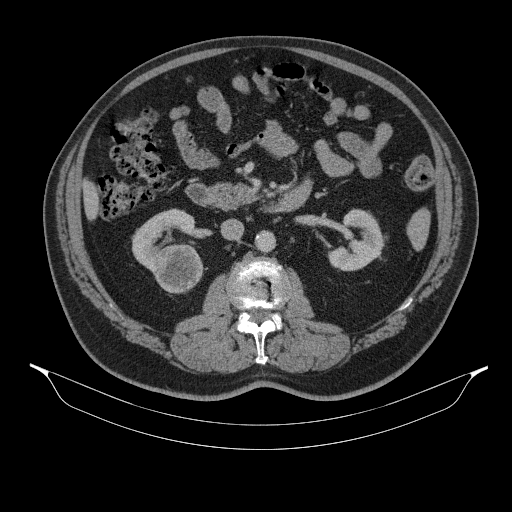
One axial slice (195 of 314, counting up from the lowest) of a contrast-enhanced abdominal CT acquired with 130 kVp, kernel B31s; each pixel is 0.934 mm and the slice is 2.50 mm thick.
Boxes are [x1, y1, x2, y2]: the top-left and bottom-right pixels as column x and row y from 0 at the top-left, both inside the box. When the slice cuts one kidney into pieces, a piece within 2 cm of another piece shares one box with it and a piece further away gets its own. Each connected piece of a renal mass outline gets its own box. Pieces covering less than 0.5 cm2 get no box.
Two kidney boxes and one renal mass box on this slice; by box centre, from the image's left to its right: (1) Box [131, 208, 195, 274]: right kidney (outlined area 2,166 px, about 18.9 cm2). (2) Box [154, 244, 204, 293]: right renal mass (outlined area 1,978 px, about 17.2 cm2). (3) Left kidney at [327, 209, 387, 271] (outlined area 2,366 px, about 20.6 cm2).